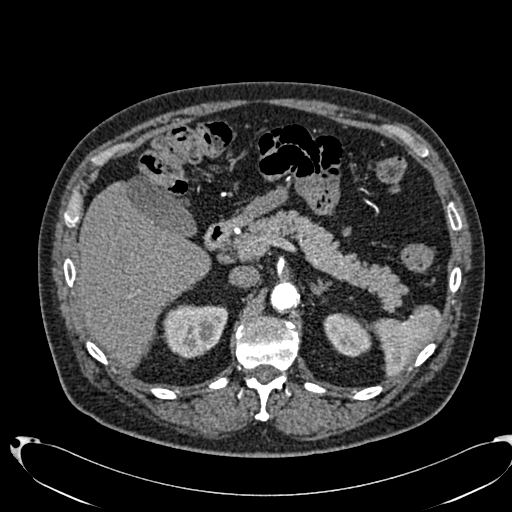
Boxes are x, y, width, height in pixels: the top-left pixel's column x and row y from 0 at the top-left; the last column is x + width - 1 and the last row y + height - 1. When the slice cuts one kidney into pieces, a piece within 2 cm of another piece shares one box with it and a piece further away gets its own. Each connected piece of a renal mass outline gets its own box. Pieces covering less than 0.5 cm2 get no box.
Slice 480/553 of a contrast-enhanced abdominal CT in the arterial phase, counting up from the lowest; pixel size 0.773 mm, slice thickness 1.00 mm. Two kidney boxes on this slice; by box centre, from the image's left to its right: (1) Box x 162, y 304, width 67, height 55: right kidney (outlined area 2,758 px, about 16.5 cm2). (2) Box x 323, y 313, width 49, height 45: left kidney (outlined area 1,560 px, about 9.3 cm2). No renal mass outline on this slice.
Tube voltage 120 kVp; convolution kernel B20f.